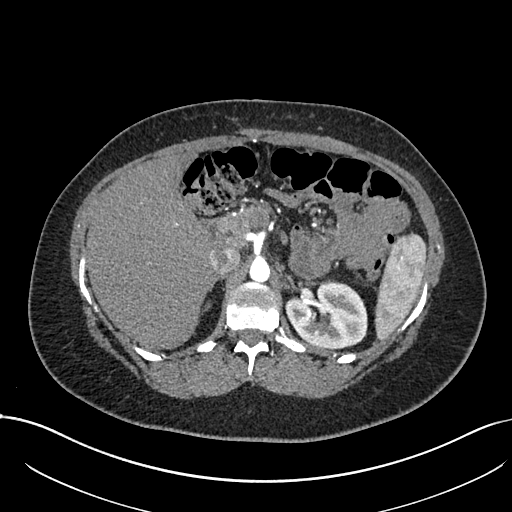
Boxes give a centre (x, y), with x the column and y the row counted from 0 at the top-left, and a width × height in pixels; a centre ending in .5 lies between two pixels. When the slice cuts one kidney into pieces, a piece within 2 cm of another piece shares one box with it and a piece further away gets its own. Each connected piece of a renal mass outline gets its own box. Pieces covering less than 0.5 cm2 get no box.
Slice 499/738 of a contrast-enhanced abdominal CT in the arterial phase, counting up from the lowest; pixel size 0.789 mm, slice thickness 1.00 mm. Box centre (326, 313.5), 83 × 68 pixels: left kidney (outlined area 4,262 px, about 26.5 cm2). No renal mass outline on this slice.
Tube voltage 120 kVp; convolution kernel I30f.